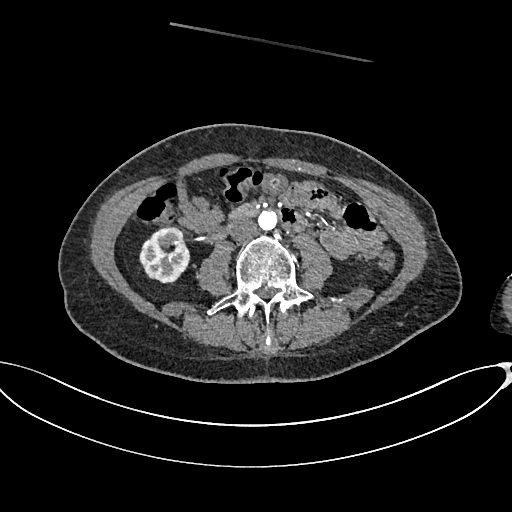
One axial slice (304 of 665, counting up from the lowest) of an arterial-phase abdominal CT acquired with 100 kVp, kernel I26f; each pixel is 0.828 mm and the slice is 1.00 mm thick.
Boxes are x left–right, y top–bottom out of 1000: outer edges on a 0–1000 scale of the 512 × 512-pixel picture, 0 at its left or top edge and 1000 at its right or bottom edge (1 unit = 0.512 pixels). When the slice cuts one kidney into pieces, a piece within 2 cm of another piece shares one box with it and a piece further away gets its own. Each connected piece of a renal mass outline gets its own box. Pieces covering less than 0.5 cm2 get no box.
Box x 271–373, y 441–555 out of 1000: right kidney (outlined area 2,222 px, about 15.2 cm2). No renal mass outline on this slice.